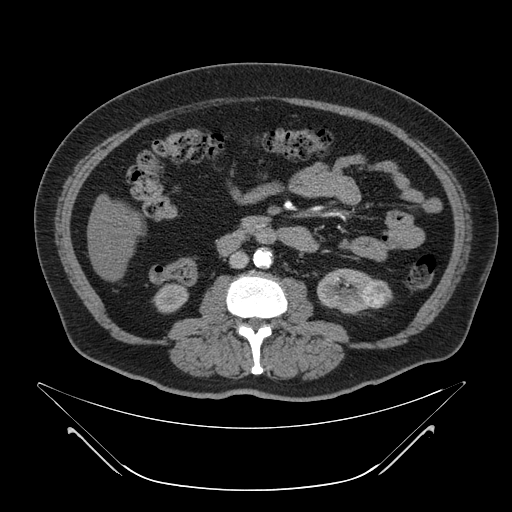
Axial slice 20 of 64 of a contrast-enhanced abdominal CT (slice 1 is the lowest), 120 kVp, kernel B; 4.00 mm slice thickness and 0.977 mm pixels.
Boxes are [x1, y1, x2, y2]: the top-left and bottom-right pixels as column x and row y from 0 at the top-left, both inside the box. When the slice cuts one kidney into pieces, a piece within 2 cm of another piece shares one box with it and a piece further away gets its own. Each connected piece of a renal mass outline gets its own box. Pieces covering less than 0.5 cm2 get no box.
Three boxes on this slice (two kidney boxes and one renal mass box), listed by box centre from the image's left to its right. (1) Right kidney at [152, 283, 188, 313] (outlined area 797 px, about 7.6 cm2). (2) Left kidney at [317, 268, 371, 314] (outlined area 1,826 px, about 17.4 cm2). (3) Left renal mass at [362, 278, 392, 308] (outlined area 714 px, about 6.8 cm2).